One axial slice (213 of 383, counting up from the lowest) of an arterial-phase abdominal CT acquired with 100 kVp, kernel SOFT; each pixel is 0.898 mm and the slice is 1.25 mm thick.
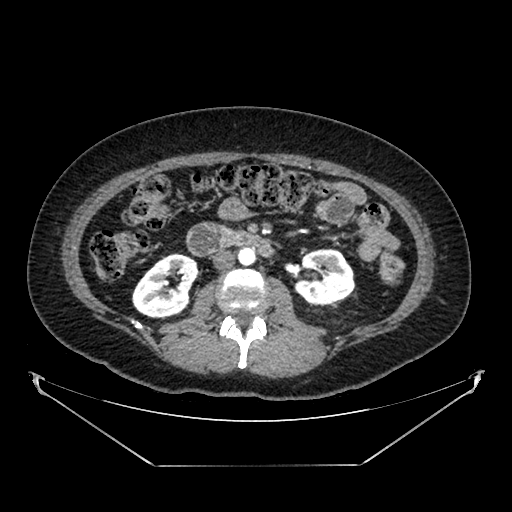
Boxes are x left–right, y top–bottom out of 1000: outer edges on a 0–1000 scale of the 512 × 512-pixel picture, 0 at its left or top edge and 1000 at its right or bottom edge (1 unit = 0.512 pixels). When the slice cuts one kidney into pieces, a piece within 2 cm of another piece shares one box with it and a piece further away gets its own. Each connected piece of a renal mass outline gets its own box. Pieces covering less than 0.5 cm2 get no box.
Boxed on this slice (two kidney boxes), listed by box centre from the image's left to its right: (1) Right kidney at x 256–389, y 494–623 out of 1000 (outlined area 3,092 px, about 25.0 cm2). (2) Left kidney at x 572–695, y 484–598 out of 1000 (outlined area 2,718 px, about 21.9 cm2). This slice carries no renal mass outline.